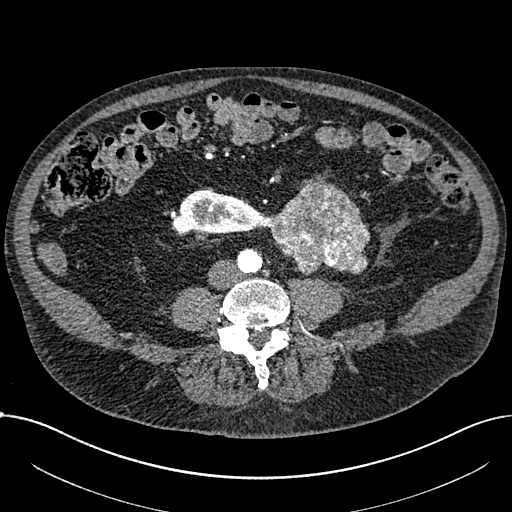
Axial slice 239 of 1059 of a contrast-enhanced abdominal CT in the arterial phase (slice 1 is the lowest), 100 kVp, kernel I30f; 1.00 mm slice thickness and 0.811 mm pixels.
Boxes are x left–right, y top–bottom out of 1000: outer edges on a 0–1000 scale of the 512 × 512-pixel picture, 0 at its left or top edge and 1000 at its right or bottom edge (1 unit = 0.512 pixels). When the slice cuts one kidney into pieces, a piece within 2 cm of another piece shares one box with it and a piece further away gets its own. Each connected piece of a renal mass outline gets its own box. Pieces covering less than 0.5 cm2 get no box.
One kidney box and one renal mass box on this slice; by box centre, from the image's left to its right: (1) Right part of the midline-crossing kidney, box x 334–525, y 371–459 out of 1000 (outlined area 3,074 px, about 20.2 cm2). (2) Box x 518–725, y 340–537 out of 1000: renal mass (outlined area 6,837 px, about 44.9 cm2).